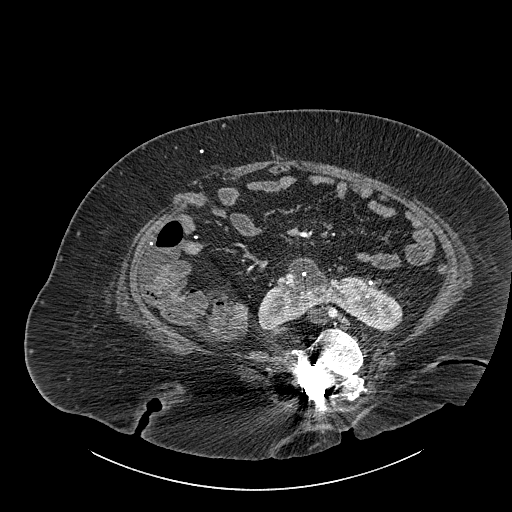
Axial slice 466 of 834 of a contrast-enhanced abdominal CT (slice 1 is the lowest), 140 kVp, kernel I30f; 1.00 mm slice thickness and 0.977 mm pixels.
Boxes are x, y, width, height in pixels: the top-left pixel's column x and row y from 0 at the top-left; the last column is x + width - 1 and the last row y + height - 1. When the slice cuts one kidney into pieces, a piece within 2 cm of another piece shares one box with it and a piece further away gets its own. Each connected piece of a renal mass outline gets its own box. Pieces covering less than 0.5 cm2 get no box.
Kidney crossing the body midline, box x 258, y 257, width 145, height 75 (outlined area 5,799 px, about 55.3 cm2). No renal mass is outlined on this slice.